Axial slice 117 of 326 of a contrast-enhanced abdominal CT in the arterial phase (slice 1 is the lowest), 120 kVp, kernel B31f; 2.00 mm slice thickness and 0.963 mm pixels.
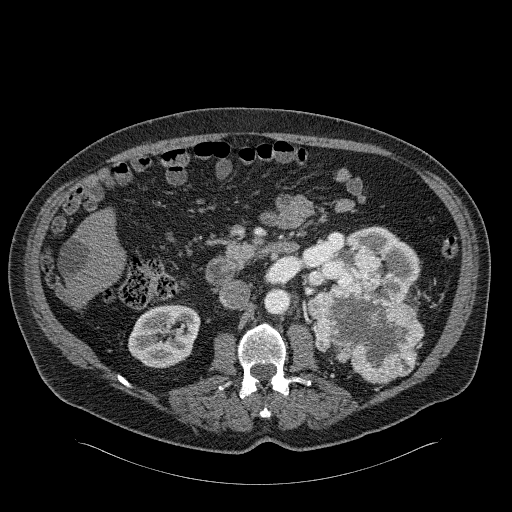
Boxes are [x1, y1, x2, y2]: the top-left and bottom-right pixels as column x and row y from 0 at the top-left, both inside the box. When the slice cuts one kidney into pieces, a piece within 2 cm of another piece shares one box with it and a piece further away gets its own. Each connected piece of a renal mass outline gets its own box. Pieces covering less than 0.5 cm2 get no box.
Three boxes on this slice (two kidney boxes and one renal mass box), listed by box centre from the image's left to its right. (1) Right kidney at [128, 304, 200, 368] (outlined area 3,547 px, about 32.9 cm2). (2) Left kidney at [308, 226, 420, 300] (outlined area 3,765 px, about 34.9 cm2). (3) Left renal mass, box [305, 247, 424, 383] (outlined area 9,263 px, about 85.9 cm2).